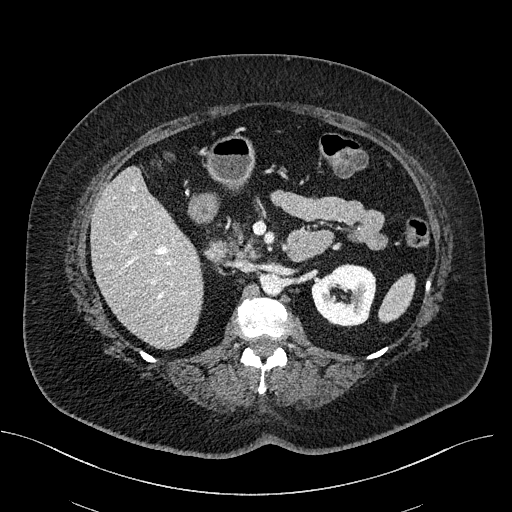
One axial slice (315 of 470, counting up from the lowest) of a contrast-enhanced abdominal CT acquired with 100 kVp, kernel I40f; each pixel is 0.824 mm and the slice is 2.00 mm thick.
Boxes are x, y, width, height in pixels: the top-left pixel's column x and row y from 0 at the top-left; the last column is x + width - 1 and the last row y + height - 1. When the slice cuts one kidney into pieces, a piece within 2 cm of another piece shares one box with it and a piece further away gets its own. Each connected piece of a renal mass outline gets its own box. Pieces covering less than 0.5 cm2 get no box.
Left kidney, box x 311, y 263, width 66, height 65 (outlined area 3,097 px, about 21.0 cm2). No renal mass outline on this slice.